One axial slice (408 of 532, counting up from the lowest) of an arterial-phase abdominal CT acquired with 120 kVp, kernel B30f; each pixel is 0.713 mm and the slice is 1.00 mm thick.
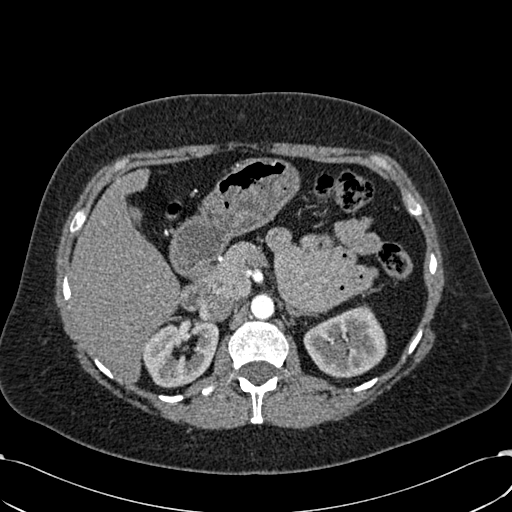
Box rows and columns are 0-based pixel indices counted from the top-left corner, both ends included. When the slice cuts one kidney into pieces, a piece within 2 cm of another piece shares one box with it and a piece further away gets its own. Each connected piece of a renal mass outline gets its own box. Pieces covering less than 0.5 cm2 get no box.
Boxed on this slice (two kidney boxes), listed by box centre from the image's left to its right: (1) Right kidney, box rows 320–388, columns 142–218 (outlined area 3,728 px, about 18.9 cm2). (2) Left kidney at rows 304–378, columns 303–386 (outlined area 4,348 px, about 22.1 cm2). No renal mass outline on this slice.